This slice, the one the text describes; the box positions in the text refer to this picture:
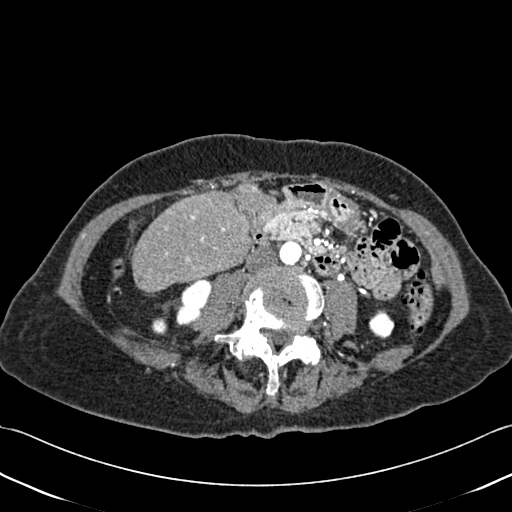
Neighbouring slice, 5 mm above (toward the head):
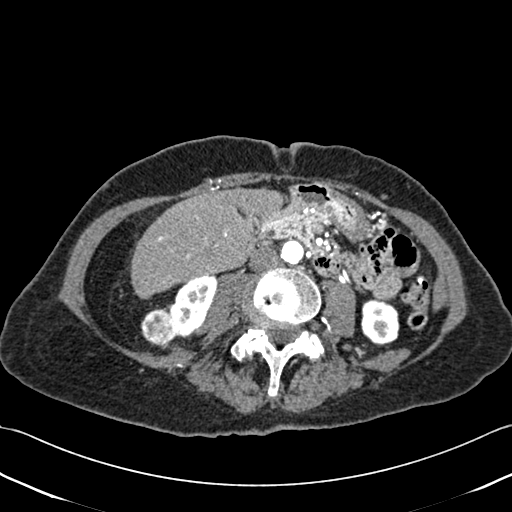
One axial slice (166 of 433, counting up from the lowest) of a contrast-enhanced abdominal CT acquired with 120 kVp, kernel B30f; each pixel is 0.672 mm and the slice is 1.00 mm thick.
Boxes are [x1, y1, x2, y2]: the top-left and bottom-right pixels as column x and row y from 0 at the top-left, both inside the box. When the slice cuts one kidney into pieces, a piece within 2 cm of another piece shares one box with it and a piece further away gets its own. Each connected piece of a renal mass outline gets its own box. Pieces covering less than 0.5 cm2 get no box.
Boxed on this slice (two kidney boxes and one renal mass box), listed by box centre from the image's left to its right: (1) Right renal mass, box [151, 318, 167, 334] (outlined area 231 px, about 1.0 cm2). (2) Right kidney, box [176, 280, 211, 325] (outlined area 1,092 px, about 4.9 cm2). (3) Left kidney, box [368, 309, 394, 338] (outlined area 559 px, about 2.5 cm2). This slice is near the end of the right renal mass toward the feet, so the slice 5 mm above it is shown as well; the boxes refer to this slice only.